Abdominal CT with intravenous contrast, arterial phase, axial plane, 100 kVp, kernel I40f. Slice 97/270 from the bottom of the scan; thickness 2.00 mm; pixel size 0.855 mm.
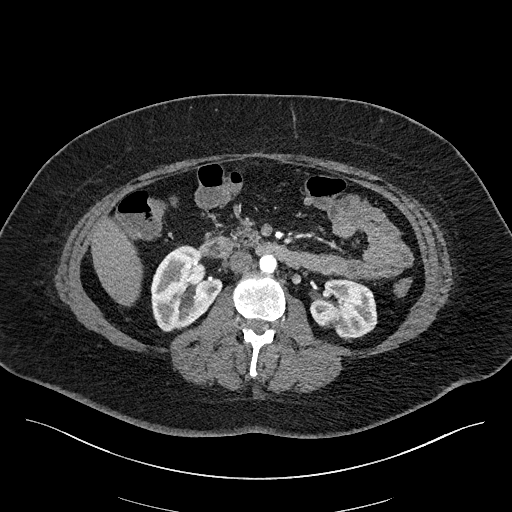
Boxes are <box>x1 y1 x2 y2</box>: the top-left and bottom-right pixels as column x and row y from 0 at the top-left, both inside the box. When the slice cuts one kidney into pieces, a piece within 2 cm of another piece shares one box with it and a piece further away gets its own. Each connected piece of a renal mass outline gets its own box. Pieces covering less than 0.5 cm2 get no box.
Two kidney boxes on this slice; by box centre, from the image's left to its right: (1) At <box>150 245 222 331</box>: right kidney (outlined area 4,293 px, about 31.4 cm2). (2) Left kidney: <box>310 279 377 339</box> (outlined area 3,071 px, about 22.5 cm2). No renal mass outline on this slice.